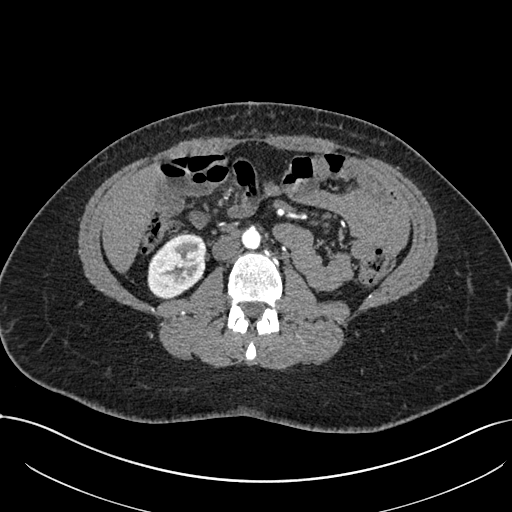
Arterial-phase contrast-enhanced abdominal CT, axial slice 356 of 738 (counted from the lowest slice); tube voltage 120 kVp, convolution kernel I30f; slices 1.00 mm thick, 0.789 mm per pixel.
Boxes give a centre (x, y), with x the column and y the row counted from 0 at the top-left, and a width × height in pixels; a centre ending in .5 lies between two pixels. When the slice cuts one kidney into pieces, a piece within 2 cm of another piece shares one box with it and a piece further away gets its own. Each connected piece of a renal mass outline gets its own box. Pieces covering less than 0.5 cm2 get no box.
Box centre (176.5, 266), 60 × 65 pixels: right kidney (outlined area 2,894 px, about 18.0 cm2). This slice carries no renal mass outline.